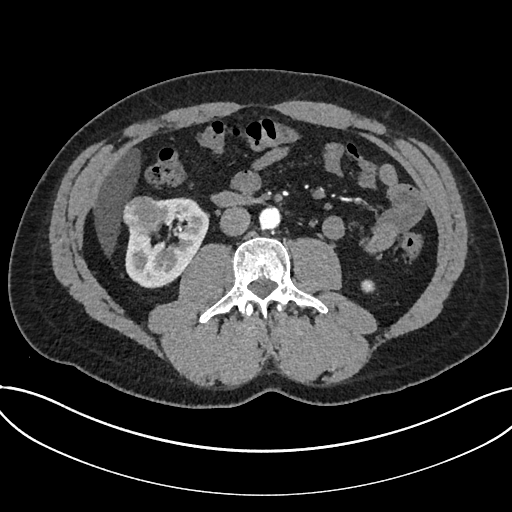
Abdominal CT with intravenous contrast, arterial phase, axial plane, 120 kVp, kernel I30f. Slice 352/735 from the bottom of the scan; thickness 1.00 mm; pixel size 0.789 mm.
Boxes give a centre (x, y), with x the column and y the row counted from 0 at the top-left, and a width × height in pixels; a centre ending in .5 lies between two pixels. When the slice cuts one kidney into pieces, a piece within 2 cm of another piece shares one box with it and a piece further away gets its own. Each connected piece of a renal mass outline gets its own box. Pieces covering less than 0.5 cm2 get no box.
Boxed on this slice (two kidney boxes and one renal mass box), listed by box centre from the image's left to its right: (1) Box centre (143, 215.5), 43 × 40 pixels: renal mass (outlined area 1,343 px, about 8.4 cm2). (2) Kidney in a box with centre (167, 242.5), 85 × 92 pixels (outlined area 4,569 px, about 28.4 cm2). (3) Box centre (368.5, 285.5), 14 × 14 pixels: kidney (outlined area 142 px, about 0.9 cm2).